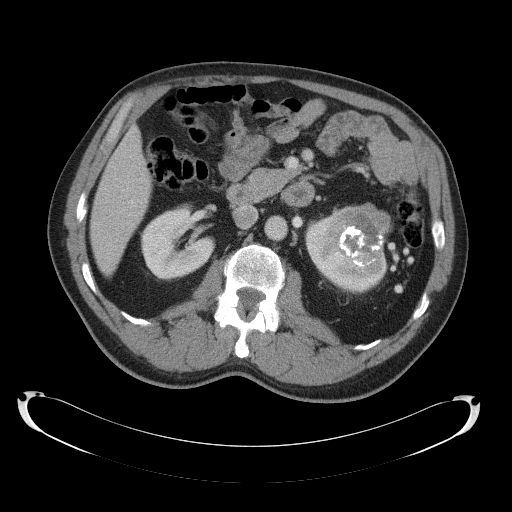
One axial slice (69 of 145, counting up from the lowest) of a contrast-enhanced abdominal CT acquired with 120 kVp, kernel B41f; each pixel is 0.859 mm and the slice is 5.00 mm thick.
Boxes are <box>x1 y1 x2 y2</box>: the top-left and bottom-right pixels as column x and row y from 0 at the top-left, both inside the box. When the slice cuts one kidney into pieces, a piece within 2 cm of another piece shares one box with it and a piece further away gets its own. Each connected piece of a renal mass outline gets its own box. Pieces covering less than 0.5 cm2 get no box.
Three boxes on this slice (two kidney boxes and one renal mass box), listed by box centre from the image's left to its right. (1) Right kidney: <box>140 203 215 280</box> (outlined area 4,069 px, about 30.1 cm2). (2) Left kidney at <box>305 215 386 294</box> (outlined area 1,775 px, about 13.1 cm2). (3) At <box>320 202 391 277</box>: left renal mass (outlined area 4,127 px, about 30.5 cm2).